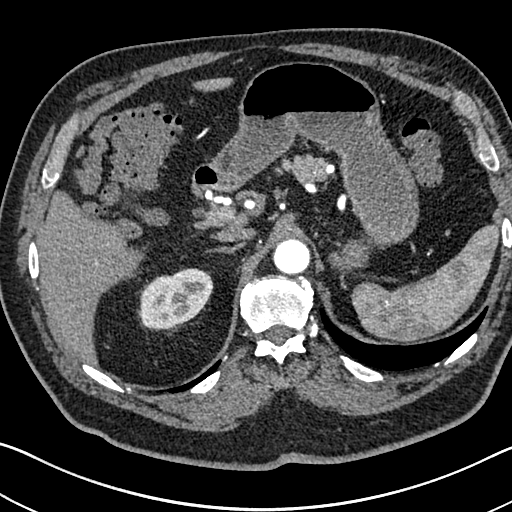
Abdominal CT with intravenous contrast, arterial phase, axial plane, 120 kVp, kernel I30f. Slice 537/705 from the bottom of the scan; thickness 1.00 mm; pixel size 0.703 mm.
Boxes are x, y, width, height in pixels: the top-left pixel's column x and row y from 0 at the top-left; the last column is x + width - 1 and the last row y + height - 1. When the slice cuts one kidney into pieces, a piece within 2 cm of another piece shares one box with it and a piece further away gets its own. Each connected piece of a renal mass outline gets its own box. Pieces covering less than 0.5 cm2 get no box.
Box x 137, y 268, width 77, height 63: right kidney (outlined area 3,502 px, about 17.3 cm2). No renal mass is outlined on this slice.